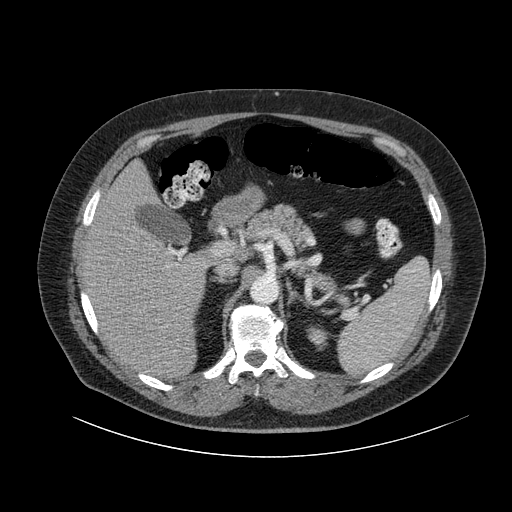
One axial slice (69 of 105, counting up from the lowest) of a contrast-enhanced abdominal CT acquired with 120 kVp, kernel B; each pixel is 0.977 mm and the slice is 3.00 mm thick.
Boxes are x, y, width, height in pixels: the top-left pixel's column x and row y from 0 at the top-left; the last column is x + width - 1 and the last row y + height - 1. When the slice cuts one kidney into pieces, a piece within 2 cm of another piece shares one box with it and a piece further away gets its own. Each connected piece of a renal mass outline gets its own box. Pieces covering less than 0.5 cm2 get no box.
Left kidney at x 306, y 326, width 25, height 25 (outlined area 365 px, about 3.5 cm2). No renal mass outline on this slice.